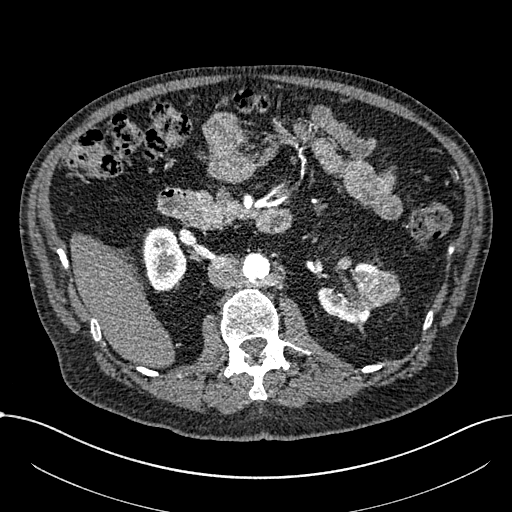
Axial slice 402 of 1059 of a contrast-enhanced abdominal CT in the arterial phase (slice 1 is the lowest), 100 kVp, kernel I30f; 1.00 mm slice thickness and 0.811 mm pixels.
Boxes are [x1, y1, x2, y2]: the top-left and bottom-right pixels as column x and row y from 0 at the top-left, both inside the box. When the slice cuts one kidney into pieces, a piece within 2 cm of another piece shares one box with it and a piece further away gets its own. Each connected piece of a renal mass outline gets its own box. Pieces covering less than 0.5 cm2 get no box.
Two kidney boxes and one renal mass box on this slice; by box centre, from the image's left to its right: (1) Right part of the midline-crossing kidney at [143, 226, 186, 290] (outlined area 2,143 px, about 14.1 cm2). (2) Left part of the midline-crossing kidney, box [318, 262, 380, 323] (outlined area 2,124 px, about 14.0 cm2). (3) Renal mass, box [362, 270, 399, 307] (outlined area 1,060 px, about 7.0 cm2).